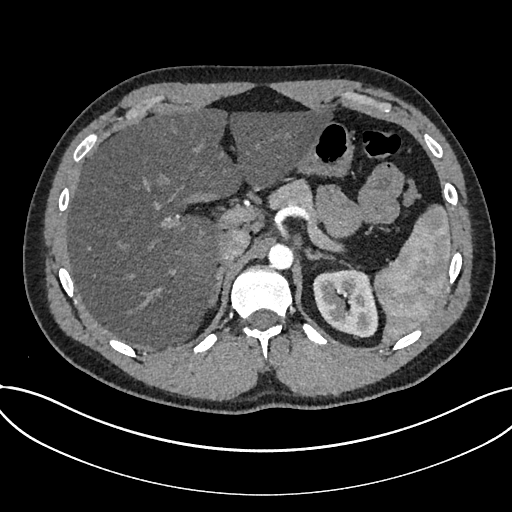
Arterial-phase contrast-enhanced abdominal CT, axial slice 541 of 735 (counted from the lowest slice); tube voltage 120 kVp, convolution kernel I30f; slices 1.00 mm thick, 0.789 mm per pixel.
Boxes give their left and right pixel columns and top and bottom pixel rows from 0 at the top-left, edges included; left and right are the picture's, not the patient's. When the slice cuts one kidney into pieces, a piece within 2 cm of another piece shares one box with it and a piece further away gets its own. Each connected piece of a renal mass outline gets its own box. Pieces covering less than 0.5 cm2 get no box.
Kidney in the box with left 313, top 269, right 378, bottom 337 (outlined area 3,494 px, about 21.8 cm2). No renal mass outline on this slice.